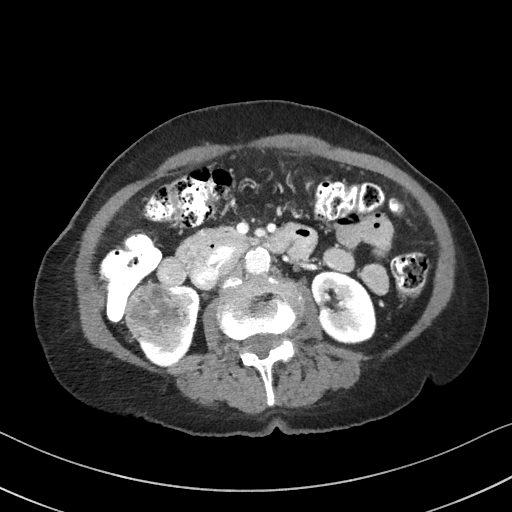
One axial slice (50 of 92, counting up from the lowest) of a contrast-enhanced abdominal CT acquired with 100 kVp, kernel I41f; each pixel is 0.684 mm and the slice is 3.00 mm thick.
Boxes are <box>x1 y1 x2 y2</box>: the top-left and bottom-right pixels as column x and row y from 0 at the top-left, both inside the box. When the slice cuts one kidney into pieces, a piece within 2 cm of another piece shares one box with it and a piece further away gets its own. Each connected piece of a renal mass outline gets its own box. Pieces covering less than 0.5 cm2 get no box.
Three boxes on this slice (two kidney boxes and one renal mass box), listed by box centre from the image's left to its right. (1) At <box>124 283 182 344</box>: right renal mass (outlined area 2,858 px, about 13.4 cm2). (2) Right kidney: <box>140 286 200 366</box> (outlined area 1,837 px, about 8.6 cm2). (3) Left kidney at <box>311 271 376 344</box> (outlined area 3,656 px, about 17.1 cm2).